Axial slice 105 of 470 of a contrast-enhanced abdominal CT in the arterial phase (slice 1 is the lowest), 120 kVp, kernel I26f; 1.00 mm slice thickness and 0.938 mm pixels.
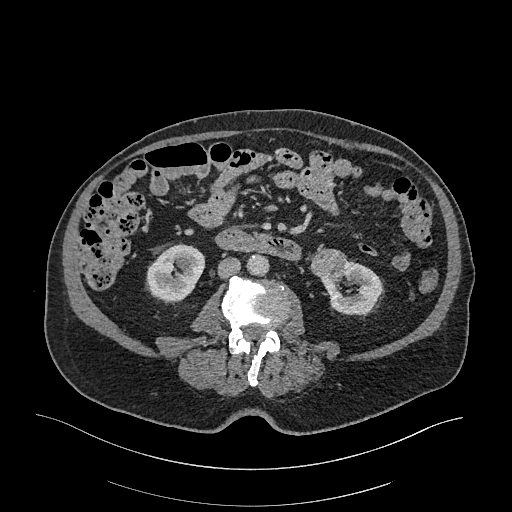
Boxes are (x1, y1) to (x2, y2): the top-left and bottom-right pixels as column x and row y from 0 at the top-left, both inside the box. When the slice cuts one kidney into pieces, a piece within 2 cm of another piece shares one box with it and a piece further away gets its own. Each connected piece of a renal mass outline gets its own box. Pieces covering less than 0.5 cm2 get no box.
Two kidney boxes and one renal mass box on this slice; by box centre, from the image's left to its right: (1) Right kidney from (146, 243) to (205, 303) (outlined area 2,593 px, about 22.8 cm2). (2) Left renal mass from (309, 248) to (346, 279) (outlined area 912 px, about 8.0 cm2). (3) Box (320, 260) to (382, 316): left kidney (outlined area 2,182 px, about 19.2 cm2).